Abdominal CT with intravenous contrast, arterial phase, axial plane, 100 kVp, kernel I30f. Slice 175/1059 from the bottom of the scan; thickness 1.00 mm; pixel size 0.811 mm.
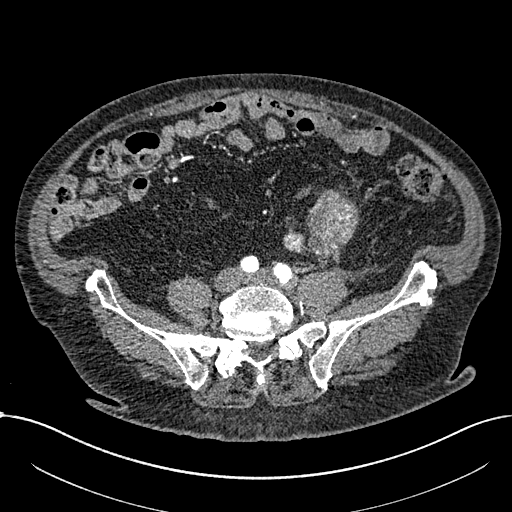
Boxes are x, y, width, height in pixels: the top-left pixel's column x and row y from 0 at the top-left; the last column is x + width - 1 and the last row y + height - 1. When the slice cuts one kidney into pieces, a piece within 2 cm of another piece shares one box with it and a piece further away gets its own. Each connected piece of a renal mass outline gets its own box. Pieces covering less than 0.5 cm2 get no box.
Boxed on this slice (two renal mass boxes), listed by box centre from the image's left to its right: (1) Renal mass, box x 283, y 231, width 23, height 23 (outlined area 406 px, about 2.7 cm2); no kidney outline appears on this slice, but the same outlined renal mass comes within 1 cm of the kidney on another slice. (2) Box x 306, y 189, width 55, height 81: renal mass (outlined area 2,823 px, about 18.5 cm2); this slice has no kidney outline, though on another slice the same outlined renal mass lies within 1 cm of the kidney.